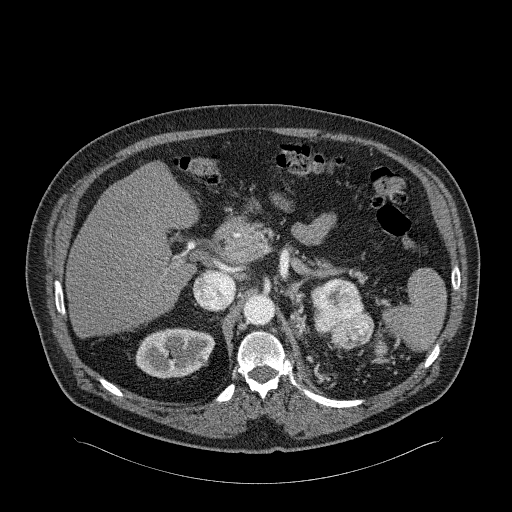
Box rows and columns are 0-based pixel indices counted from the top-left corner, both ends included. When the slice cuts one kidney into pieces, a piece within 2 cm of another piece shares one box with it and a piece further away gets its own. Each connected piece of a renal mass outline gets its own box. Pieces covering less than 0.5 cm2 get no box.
Arterial-phase contrast-enhanced abdominal CT, axial slice 178 of 326 (counted from the lowest slice); 2.00 mm thick, 0.963 mm per pixel. Three boxes on this slice (one kidney box and two renal mass boxes), listed by box centre from the image's left to its right. (1) Box rows 328–378, columns 135–215: right kidney (outlined area 3,172 px, about 29.4 cm2). (2) Left renal mass, box rows 278–349, columns 311–374 (outlined area 3,243 px, about 30.1 cm2); it sits over 1 cm from every kidney outline on this slice, but the same outlined renal mass comes within 1 cm of the kidney on another slice. (3) Box rows 335–357, columns 374–387: left renal mass (outlined area 227 px, about 2.1 cm2); on this slice it lies more than 1 cm from any kidney outline, but the same outlined renal mass comes within 1 cm of the kidney on another slice.
Tube voltage 120 kVp; convolution kernel B31f.